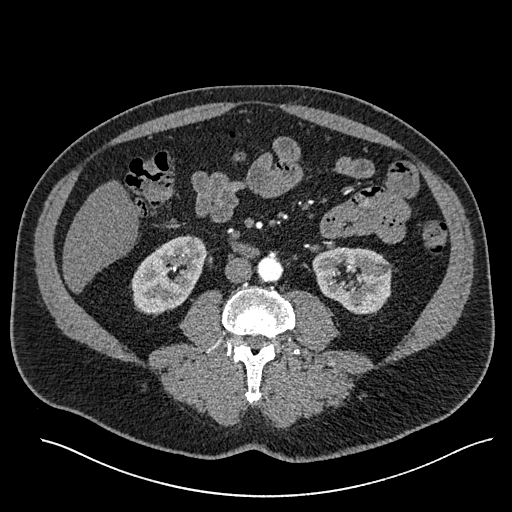
Axial slice 248 of 527 of a contrast-enhanced abdominal CT in the arterial phase (slice 1 is the lowest), 120 kVp, kernel I30f; 1.00 mm slice thickness and 0.859 mm pixels.
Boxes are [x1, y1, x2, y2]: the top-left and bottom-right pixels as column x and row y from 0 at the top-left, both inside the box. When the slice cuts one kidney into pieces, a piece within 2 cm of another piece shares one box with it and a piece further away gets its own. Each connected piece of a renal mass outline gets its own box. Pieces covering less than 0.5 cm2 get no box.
Two kidney boxes on this slice; by box centre, from the image's left to its right: (1) Right kidney, box [131, 235, 207, 314] (outlined area 4,140 px, about 30.6 cm2). (2) Left kidney, box [312, 247, 392, 314] (outlined area 4,081 px, about 30.1 cm2). No renal mass outline on this slice.